Axial slice 45 of 66 of a contrast-enhanced abdominal CT in the arterial phase (slice 1 is the lowest), 120 kVp, kernel B30f; 5.00 mm slice thickness and 0.678 mm pixels.
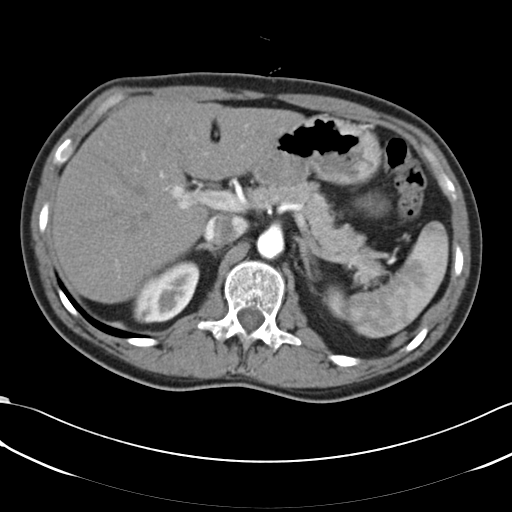
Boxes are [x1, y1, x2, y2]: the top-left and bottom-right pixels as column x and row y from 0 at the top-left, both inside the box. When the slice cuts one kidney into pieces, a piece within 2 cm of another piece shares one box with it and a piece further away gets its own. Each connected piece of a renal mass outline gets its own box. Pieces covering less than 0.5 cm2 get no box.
Boxed on this slice (two kidney boxes), listed by box centre from the image's left to its right: (1) Box [133, 260, 199, 323]: right kidney (outlined area 2,866 px, about 13.2 cm2). (2) Box [322, 285, 345, 320]: left kidney (outlined area 573 px, about 2.6 cm2). No renal mass is outlined on this slice.